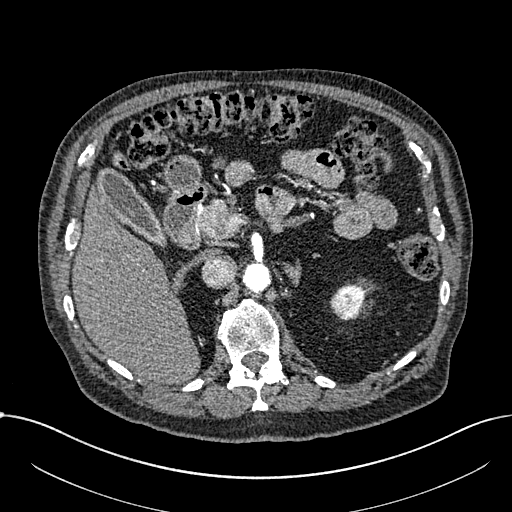
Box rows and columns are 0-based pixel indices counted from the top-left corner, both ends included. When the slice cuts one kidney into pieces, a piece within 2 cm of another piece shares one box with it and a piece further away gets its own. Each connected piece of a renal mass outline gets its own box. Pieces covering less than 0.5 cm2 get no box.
This is axial slice 462 of 1059 (slice 1 is the lowest) of an arterial-phase abdominal CT with contrast; each pixel is 0.811 mm and the slice is 1.00 mm thick. Box rows 282–320, columns 329–365: left part of the midline-crossing kidney (outlined area 1,006 px, about 6.6 cm2). No renal mass outline on this slice.
Scan settings: 100 kVp, I30f reconstruction kernel.